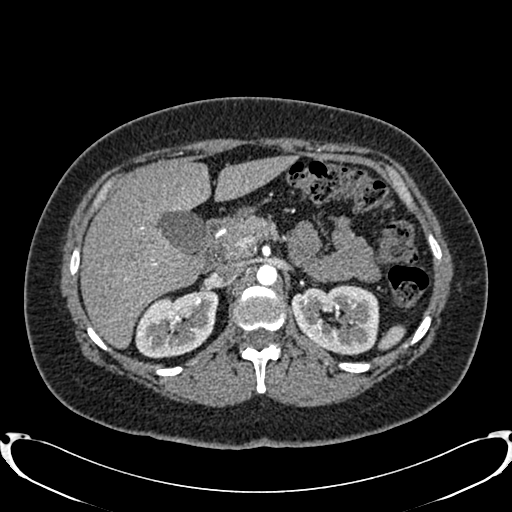
Abdominal CT with intravenous contrast, arterial phase, axial plane, 120 kVp, kernel B20f. Slice 535/719 from the bottom of the scan; thickness 1.00 mm; pixel size 0.766 mm.
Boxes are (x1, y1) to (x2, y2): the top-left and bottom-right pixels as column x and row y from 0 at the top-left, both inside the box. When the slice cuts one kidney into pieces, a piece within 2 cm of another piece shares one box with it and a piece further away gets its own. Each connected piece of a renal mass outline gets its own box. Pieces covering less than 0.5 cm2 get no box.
Two boxes on this slice (two kidney boxes), listed by box centre from the image's left to its right. (1) Box (135, 288) to (218, 358): right kidney (outlined area 4,349 px, about 25.5 cm2). (2) Left kidney, box (290, 285) to (379, 355) (outlined area 4,813 px, about 28.2 cm2). This slice carries no renal mass outline.